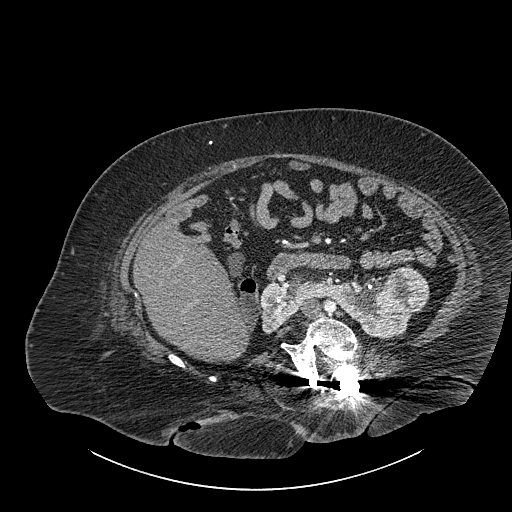
Contrast-enhanced abdominal CT, axial slice 514 of 834 (counted from the lowest slice); tube voltage 140 kVp, convolution kernel I30f; slices 1.00 mm thick, 0.977 mm per pixel.
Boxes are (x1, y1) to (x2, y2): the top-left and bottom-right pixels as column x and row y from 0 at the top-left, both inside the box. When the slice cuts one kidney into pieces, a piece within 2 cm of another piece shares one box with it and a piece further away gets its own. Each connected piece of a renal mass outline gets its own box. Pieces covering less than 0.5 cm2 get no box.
Two boxes on this slice (one kidney box and one renal mass box), listed by box centre from the image's left to its right. (1) Box (260, 275) to (413, 339): kidney crossing the body midline (outlined area 4,996 px, about 47.6 cm2). (2) Box (383, 267) to (429, 313): renal mass (outlined area 1,797 px, about 17.1 cm2).